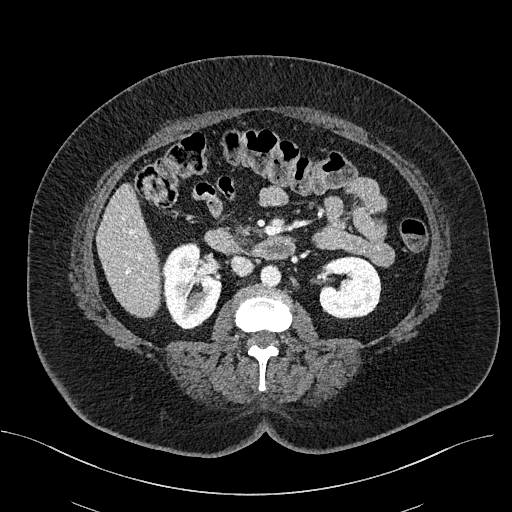
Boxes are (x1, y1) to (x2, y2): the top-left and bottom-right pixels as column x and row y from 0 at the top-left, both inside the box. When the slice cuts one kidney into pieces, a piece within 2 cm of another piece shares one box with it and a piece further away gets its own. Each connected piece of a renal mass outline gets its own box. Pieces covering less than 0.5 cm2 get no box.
This is axial slice 289 of 470 (slice 1 is the lowest) of an abdominal CT with contrast; each pixel is 0.824 mm and the slice is 2.00 mm thick. Two boxes on this slice (two kidney boxes), listed by box centre from the image's left to its right. (1) Box (162, 242) to (221, 329): right kidney (outlined area 3,874 px, about 26.3 cm2). (2) Box (316, 255) to (381, 319): left kidney (outlined area 3,241 px, about 22.0 cm2).
Acquired at 100 kVp and reconstructed with the I40f kernel.